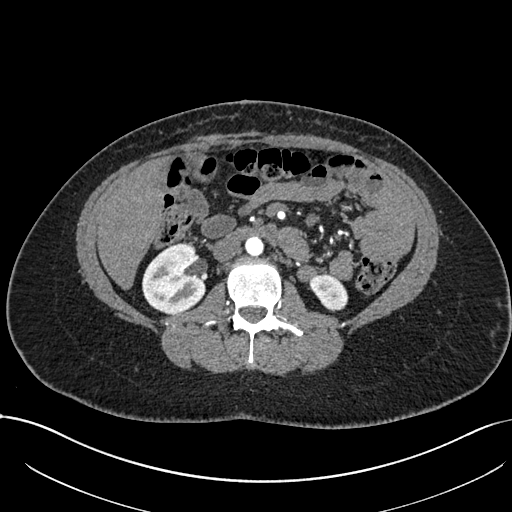
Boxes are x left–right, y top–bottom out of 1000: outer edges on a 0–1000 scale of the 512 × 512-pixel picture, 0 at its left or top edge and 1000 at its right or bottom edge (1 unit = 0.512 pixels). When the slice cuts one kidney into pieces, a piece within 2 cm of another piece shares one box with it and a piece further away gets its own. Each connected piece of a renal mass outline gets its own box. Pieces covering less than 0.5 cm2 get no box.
This is axial slice 393 of 738 (slice 1 is the lowest) of an arterial-phase abdominal CT with contrast; each pixel is 0.789 mm and the slice is 1.00 mm thick. Two boxes on this slice (two kidney boxes), listed by box centre from the image's left to its right. (1) Right kidney, box x 277–404, y 473–615 out of 1000 (outlined area 3,491 px, about 21.7 cm2). (2) Left kidney, box x 604–682, y 533–609 out of 1000 (outlined area 1,064 px, about 6.6 cm2). No renal mass outline on this slice.
Tube voltage 120 kVp; convolution kernel I30f.